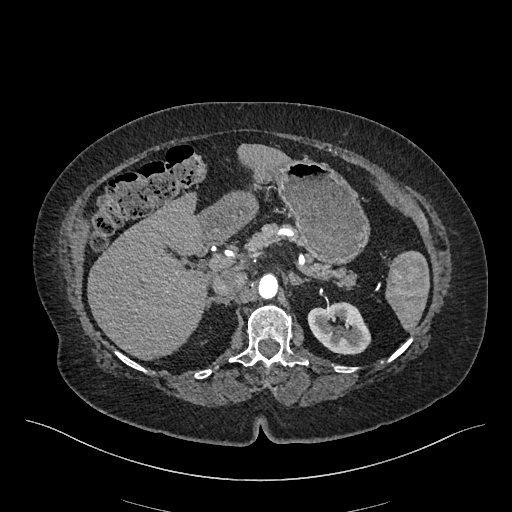
One axial slice (320 of 548, counting up from the lowest) of an arterial-phase abdominal CT acquired with 120 kVp, kernel I26f; each pixel is 0.852 mm and the slice is 1.00 mm thick.
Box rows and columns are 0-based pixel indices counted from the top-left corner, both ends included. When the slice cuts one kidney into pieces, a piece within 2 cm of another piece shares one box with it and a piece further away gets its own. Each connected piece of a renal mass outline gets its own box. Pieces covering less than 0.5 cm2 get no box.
Left kidney at rows 302–354, columns 307–371 (outlined area 2,442 px, about 17.7 cm2). No renal mass outline on this slice.